Axial slice 319 of 723 of a contrast-enhanced abdominal CT in the arterial phase (slice 1 is the lowest), 120 kVp, kernel B30f; 1.00 mm slice thickness and 0.895 mm pixels.
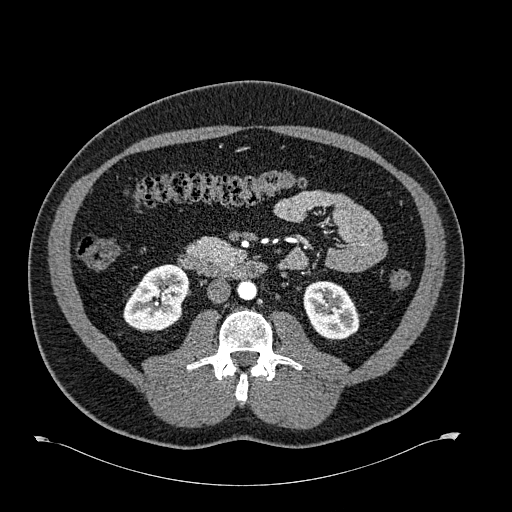
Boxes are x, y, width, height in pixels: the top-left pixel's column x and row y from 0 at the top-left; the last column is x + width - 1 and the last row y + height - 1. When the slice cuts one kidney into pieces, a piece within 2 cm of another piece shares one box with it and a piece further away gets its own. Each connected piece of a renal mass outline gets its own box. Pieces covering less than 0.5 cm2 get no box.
Boxed on this slice (two kidney boxes), listed by box centre from the image's left to its right: (1) Right kidney at x 123, y 264, width 65, height 68 (outlined area 3,211 px, about 25.7 cm2). (2) Left kidney at x 303, y 281, width 57, height 60 (outlined area 2,564 px, about 20.5 cm2). No renal mass is outlined on this slice.